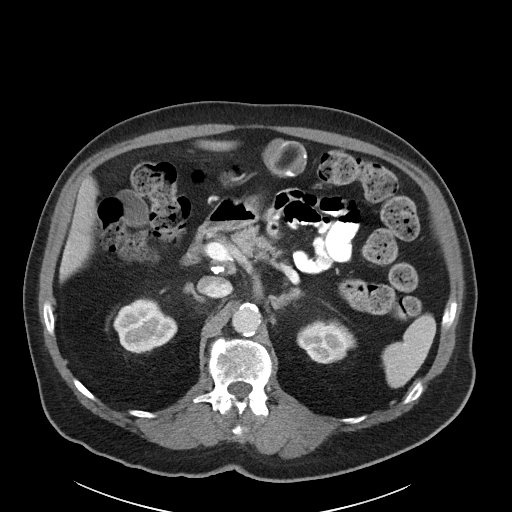
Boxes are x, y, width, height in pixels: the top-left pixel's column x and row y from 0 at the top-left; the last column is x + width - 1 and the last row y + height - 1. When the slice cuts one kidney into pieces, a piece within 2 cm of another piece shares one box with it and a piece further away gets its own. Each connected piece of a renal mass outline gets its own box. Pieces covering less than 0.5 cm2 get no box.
Slice 66/89 of a contrast-enhanced abdominal CT in the arterial phase, counting up from the lowest; pixel size 0.885 mm, slice thickness 5.00 mm. Boxed on this slice (two kidney boxes), listed by box centre from the image's left to its right: (1) Box x 113, y 297, width 65, height 57: right kidney (outlined area 2,563 px, about 20.1 cm2). (2) Box x 296, y 318, width 61, height 46: left kidney (outlined area 1,972 px, about 15.4 cm2). No renal mass is outlined on this slice.
Acquired at 100 kVp and reconstructed with the I40f kernel.